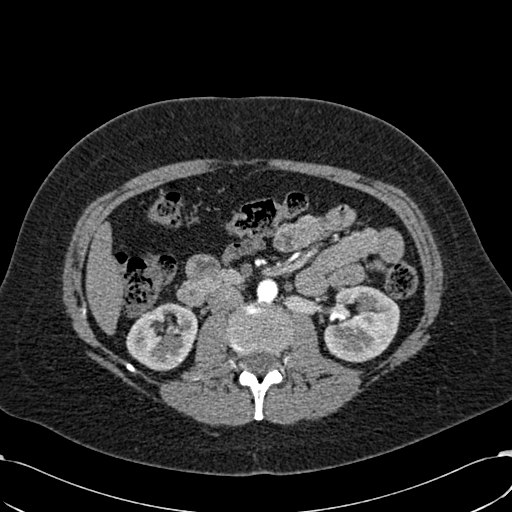
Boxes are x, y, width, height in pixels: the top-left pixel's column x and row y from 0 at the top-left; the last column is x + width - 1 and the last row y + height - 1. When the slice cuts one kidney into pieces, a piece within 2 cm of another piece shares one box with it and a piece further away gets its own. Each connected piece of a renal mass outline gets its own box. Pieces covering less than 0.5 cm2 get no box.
This is axial slice 329 of 532 (slice 1 is the lowest) of an arterial-phase abdominal CT with contrast; each pixel is 0.713 mm and the slice is 1.00 mm thick. Boxed on this slice (two kidney boxes), listed by box centre from the image's left to its right: (1) Right kidney at x 126, y 302, width 72, height 70 (outlined area 3,625 px, about 18.4 cm2). (2) Left kidney at x 323, y 285, width 77, height 78 (outlined area 4,505 px, about 22.9 cm2). No renal mass is outlined on this slice.
Acquired at 120 kVp and reconstructed with the B30f kernel.